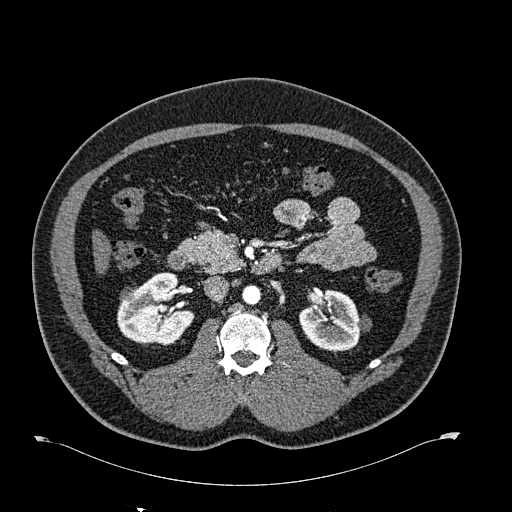
Abdominal CT with intravenous contrast, arterial phase, axial plane, 120 kVp, kernel B30f. Slice 364/723 from the bottom of the scan; thickness 1.00 mm; pixel size 0.895 mm.
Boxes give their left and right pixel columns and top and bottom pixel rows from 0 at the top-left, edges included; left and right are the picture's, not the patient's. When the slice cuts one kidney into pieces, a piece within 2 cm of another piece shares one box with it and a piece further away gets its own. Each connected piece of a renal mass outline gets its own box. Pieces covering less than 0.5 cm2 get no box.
Two kidney boxes and one renal mass box on this slice; by box centre, from the image's left to its right: (1) Box with left 120, top 287, right 134, bottom 301: right renal mass (outlined area 164 px, about 1.3 cm2). (2) Right kidney in the box with left 117, top 272, right 194, bottom 344 (outlined area 3,920 px, about 31.4 cm2). (3) Box with left 299, top 289, right 371, bottom 353: left kidney (outlined area 3,105 px, about 24.8 cm2).